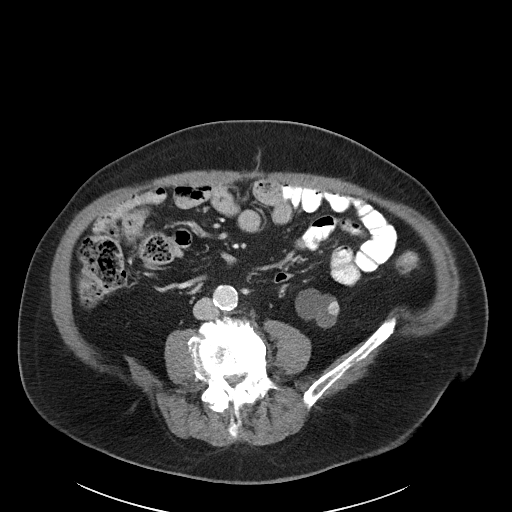
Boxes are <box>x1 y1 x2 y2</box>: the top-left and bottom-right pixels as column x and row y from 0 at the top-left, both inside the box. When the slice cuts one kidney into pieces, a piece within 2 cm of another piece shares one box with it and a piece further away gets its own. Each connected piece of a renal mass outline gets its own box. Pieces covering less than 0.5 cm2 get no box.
This is axial slice 47 of 89 (slice 1 is the lowest) of an arterial-phase abdominal CT with contrast; each pixel is 0.885 mm and the slice is 5.00 mm thick. At <box>295 289 339 327</box>: left kidney (outlined area 1,224 px, about 9.6 cm2). This slice carries no renal mass outline.
Scan settings: 100 kVp, I40f reconstruction kernel.